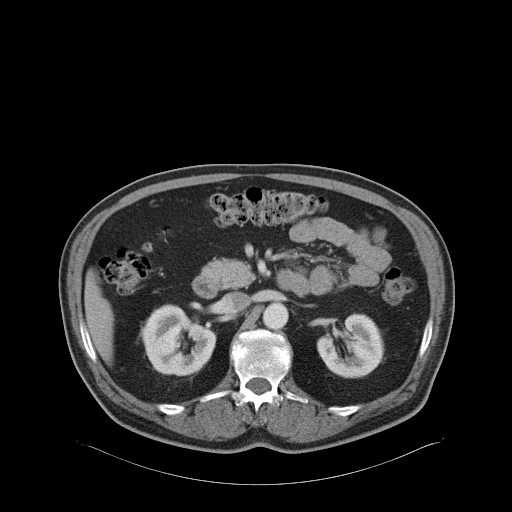
Abdominal CT with intravenous contrast, arterial phase, axial plane, 120 kVp, kernel B31f. Slice 43/68 from the bottom of the scan; thickness 5.00 mm; pixel size 0.961 mm.
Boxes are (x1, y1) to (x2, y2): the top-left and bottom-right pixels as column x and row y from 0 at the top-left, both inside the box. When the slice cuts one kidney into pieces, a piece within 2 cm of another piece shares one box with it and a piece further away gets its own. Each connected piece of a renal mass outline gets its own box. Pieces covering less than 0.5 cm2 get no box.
Boxed on this slice (two kidney boxes), listed by box centre from the image's left to its right: (1) Right kidney from (139, 304) to (216, 375) (outlined area 3,851 px, about 35.6 cm2). (2) Box (316, 313) to (384, 378): left kidney (outlined area 3,162 px, about 29.2 cm2). No renal mass outline on this slice.